One axial slice (77 of 99, counting up from the lowest) of a contrast-enhanced abdominal CT acquired with 120 kVp, kernel STANDARD; each pixel is 0.938 mm and the slice is 5.00 mm thick.
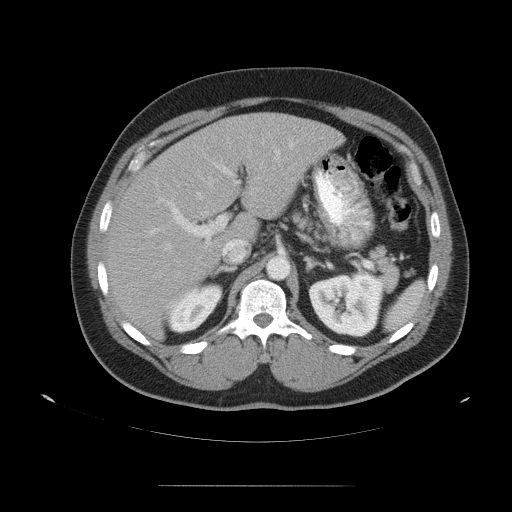
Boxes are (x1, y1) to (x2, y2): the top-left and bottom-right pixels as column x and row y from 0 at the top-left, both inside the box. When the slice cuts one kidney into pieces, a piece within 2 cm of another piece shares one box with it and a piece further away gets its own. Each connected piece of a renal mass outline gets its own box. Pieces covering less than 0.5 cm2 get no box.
Boxed on this slice (two kidney boxes), listed by box centre from the image's left to its right: (1) Right kidney, box (167, 282) to (223, 333) (outlined area 1,769 px, about 15.5 cm2). (2) Left kidney from (308, 273) to (384, 337) (outlined area 3,842 px, about 33.8 cm2). No renal mass outline on this slice.